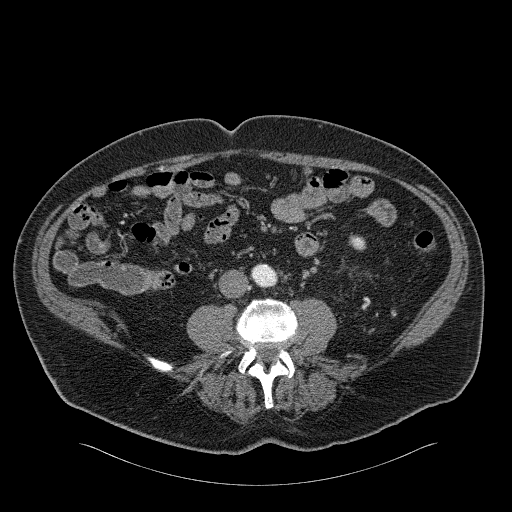
One axial slice (54 of 326, counting up from the lowest) of an arterial-phase abdominal CT acquired with 120 kVp, kernel B31f; each pixel is 0.963 mm and the slice is 2.00 mm thick.
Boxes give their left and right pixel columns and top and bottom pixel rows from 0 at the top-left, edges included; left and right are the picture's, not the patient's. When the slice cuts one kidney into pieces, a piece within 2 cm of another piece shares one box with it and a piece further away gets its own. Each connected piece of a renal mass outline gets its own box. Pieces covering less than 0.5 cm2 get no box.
Box with left 349, top 235, right 364, bottom 249: left kidney (outlined area 179 px, about 1.7 cm2). No renal mass is outlined on this slice.